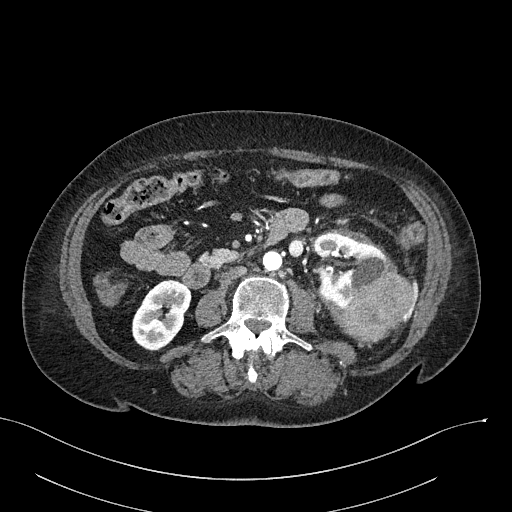
Arterial-phase contrast-enhanced abdominal CT, axial slice 106 of 316 (counted from the lowest slice); tube voltage 100 kVp, convolution kernel I40f; slices 2.00 mm thick, 0.840 mm per pixel.
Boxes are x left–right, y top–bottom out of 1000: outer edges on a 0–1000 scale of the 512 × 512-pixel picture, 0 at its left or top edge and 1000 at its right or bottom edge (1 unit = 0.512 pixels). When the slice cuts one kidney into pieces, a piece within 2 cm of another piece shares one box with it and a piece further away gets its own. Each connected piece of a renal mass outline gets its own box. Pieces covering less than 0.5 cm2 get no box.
Two kidney boxes and one renal mass box on this slice; by box centre, from the image's left to its right: (1) Right kidney at x 256–373, y 545–686 out of 1000 (outlined area 2,968 px, about 20.9 cm2). (2) Left kidney at x 611–762, y 455–607 out of 1000 (outlined area 3,635 px, about 25.6 cm2). (3) Left renal mass, box x 668–811, y 508–670 out of 1000 (outlined area 3,626 px, about 25.6 cm2).